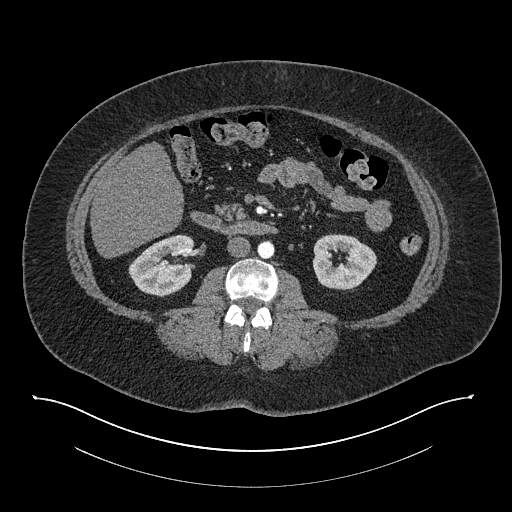
One axial slice (415 of 673, counting up from the lowest) of an arterial-phase abdominal CT acquired with 140 kVp, kernel I30f; each pixel is 0.957 mm and the slice is 1.00 mm thick.
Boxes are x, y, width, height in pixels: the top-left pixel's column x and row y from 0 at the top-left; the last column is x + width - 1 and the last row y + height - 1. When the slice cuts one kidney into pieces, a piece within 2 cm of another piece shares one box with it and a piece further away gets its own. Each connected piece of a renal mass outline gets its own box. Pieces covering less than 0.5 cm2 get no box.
Two kidney boxes on this slice; by box centre, from the image's left to its right: (1) Right kidney, box x 128, y 234, width 67, height 64 (outlined area 2,978 px, about 27.3 cm2). (2) Left kidney, box x 312, y 234, width 65, height 57 (outlined area 2,723 px, about 24.9 cm2). No renal mass is outlined on this slice.